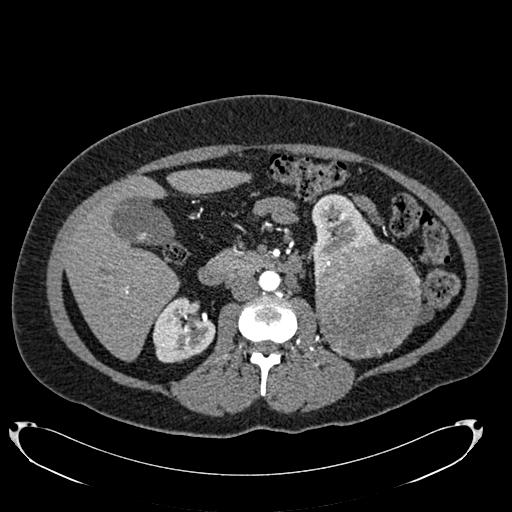
Arterial-phase contrast-enhanced abdominal CT, axial slice 413 of 634 (counted from the lowest slice); tube voltage 120 kVp, convolution kernel B20f; slices 1.00 mm thick, 0.838 mm per pixel.
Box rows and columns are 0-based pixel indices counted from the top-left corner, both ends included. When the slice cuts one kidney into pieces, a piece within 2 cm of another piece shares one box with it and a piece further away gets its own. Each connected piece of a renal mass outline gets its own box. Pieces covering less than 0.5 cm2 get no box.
Boxed on this slice (two kidney boxes and one renal mass box), listed by box centre from the image's left to its right: (1) Right kidney, box rows 297–362, columns 152–215 (outlined area 3,013 px, about 21.2 cm2). (2) Box rows 193–276, columns 311–377: left kidney (outlined area 2,810 px, about 19.7 cm2). (3) Left renal mass, box rows 239–359, columns 315–421 (outlined area 10,234 px, about 71.8 cm2).